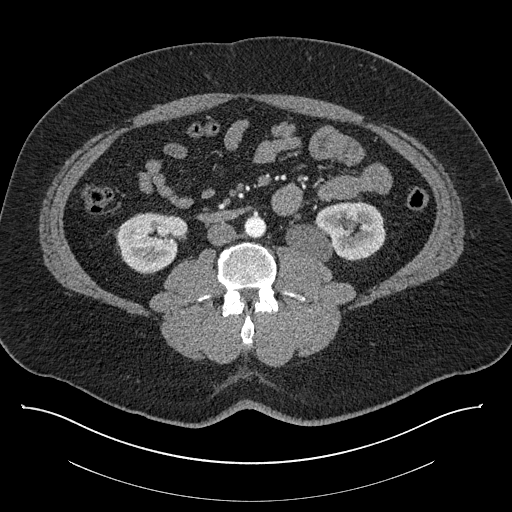
Abdominal CT with intravenous contrast, axial plane, 140 kVp, kernel I30f. Slice 411/787 from the bottom of the scan; thickness 1.00 mm; pixel size 0.910 mm.
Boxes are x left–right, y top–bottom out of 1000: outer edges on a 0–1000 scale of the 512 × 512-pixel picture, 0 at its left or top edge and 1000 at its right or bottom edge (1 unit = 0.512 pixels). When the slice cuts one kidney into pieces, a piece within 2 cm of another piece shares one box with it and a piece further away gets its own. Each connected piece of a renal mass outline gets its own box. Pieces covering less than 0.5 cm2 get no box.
Two boxes on this slice (two kidney boxes), listed by box centre from the image's left to its right. (1) Right kidney at x 227–369, y 414–533 out of 1000 (outlined area 3,299 px, about 27.3 cm2). (2) Left kidney at x 557–754, y 393–512 out of 1000 (outlined area 4,460 px, about 36.9 cm2). No renal mass is outlined on this slice.